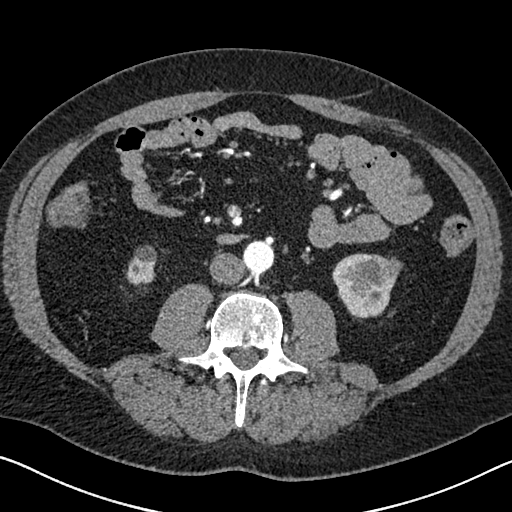
Abdominal CT with intravenous contrast, arterial phase, axial plane, 120 kVp, kernel I30f. Slice 302/626 from the bottom of the scan; thickness 1.00 mm; pixel size 0.703 mm.
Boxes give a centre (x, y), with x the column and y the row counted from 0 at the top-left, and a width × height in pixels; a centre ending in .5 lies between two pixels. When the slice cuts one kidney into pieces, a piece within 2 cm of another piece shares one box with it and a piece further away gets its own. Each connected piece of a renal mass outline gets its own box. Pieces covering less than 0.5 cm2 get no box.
Boxed on this slice (two kidney boxes and one renal mass box), listed by box centre from the image's left to its right: (1) Box centre (141, 266), 31 × 43 pixels: right kidney (outlined area 949 px, about 4.7 cm2). (2) Left kidney, box centre (364.5, 285), 66 × 65 pixels (outlined area 2,360 px, about 11.7 cm2). (3) Left renal mass, box centre (379.5, 270.5), 48 × 30 pixels (outlined area 974 px, about 4.8 cm2).